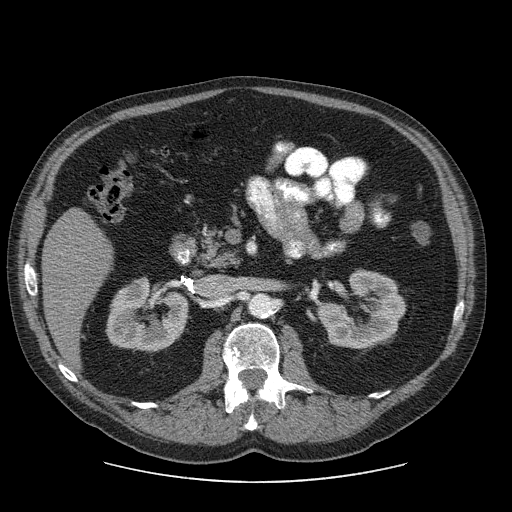
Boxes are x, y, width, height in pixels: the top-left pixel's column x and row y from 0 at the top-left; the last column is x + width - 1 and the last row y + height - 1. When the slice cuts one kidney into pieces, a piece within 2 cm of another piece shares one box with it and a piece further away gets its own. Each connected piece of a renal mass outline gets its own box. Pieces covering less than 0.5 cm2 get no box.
Contrast-enhanced abdominal CT, axial slice 44 of 103 (counted from the lowest slice); 2.50 mm thick, 0.820 mm per pixel. Two boxes on this slice (two kidney boxes), listed by box centre from the image's left to its right. (1) Right kidney at x 105, y 275, width 84, height 78 (outlined area 4,568 px, about 30.7 cm2). (2) Left kidney at x 317, y 268, width 90, height 81 (outlined area 4,658 px, about 31.3 cm2). This slice carries no renal mass outline.
Acquired at 120 kVp and reconstructed with the STANDARD kernel.